One axial slice (317 of 439, counting up from the lowest) of a contrast-enhanced abdominal CT acquired with 100 kVp, kernel I40f; each pixel is 0.850 mm and the slice is 2.00 mm thick.
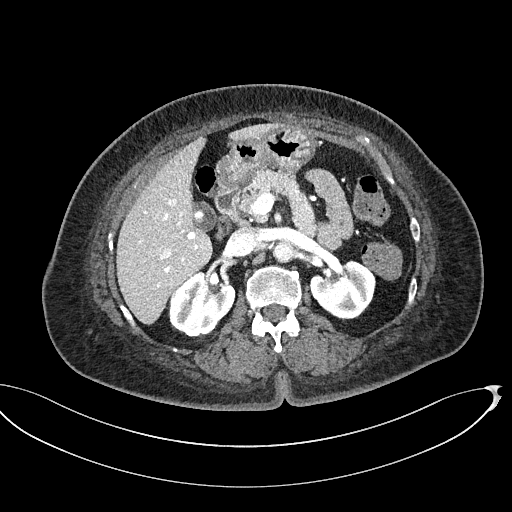
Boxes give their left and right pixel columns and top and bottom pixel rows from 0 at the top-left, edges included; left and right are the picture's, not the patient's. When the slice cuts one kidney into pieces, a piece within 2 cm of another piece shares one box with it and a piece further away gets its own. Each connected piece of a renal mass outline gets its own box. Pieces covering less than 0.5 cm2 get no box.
Three boxes on this slice (two kidney boxes and one renal mass box), listed by box centre from the image's left to its right. (1) Right renal mass in the box with left 170, top 286, right 187, bottom 305 (outlined area 247 px, about 1.8 cm2). (2) Box with left 169, top 271, right 234, bottom 337: right kidney (outlined area 2,880 px, about 20.8 cm2). (3) Left kidney in the box with left 310, top 259, right 375, bottom 320 (outlined area 2,866 px, about 20.7 cm2).